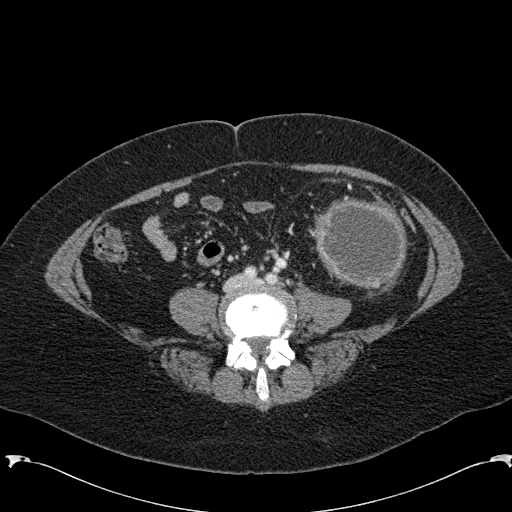
One axial slice (30 of 285, counting up from the lowest) of an arterial-phase abdominal CT acquired with 120 kVp, kernel B31f; each pixel is 0.762 mm and the slice is 2.00 mm thick.
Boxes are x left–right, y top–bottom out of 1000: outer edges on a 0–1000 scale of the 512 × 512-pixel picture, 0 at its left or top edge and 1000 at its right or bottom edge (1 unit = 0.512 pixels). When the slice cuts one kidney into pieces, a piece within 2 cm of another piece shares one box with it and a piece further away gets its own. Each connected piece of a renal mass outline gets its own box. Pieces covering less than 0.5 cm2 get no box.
Left renal mass at x 609–799, y 385–563 out of 1000 (outlined area 6,790 px, about 39.4 cm2); no kidney outline appears on this slice, but the same outlined renal mass comes within 1 cm of the kidney on another slice.